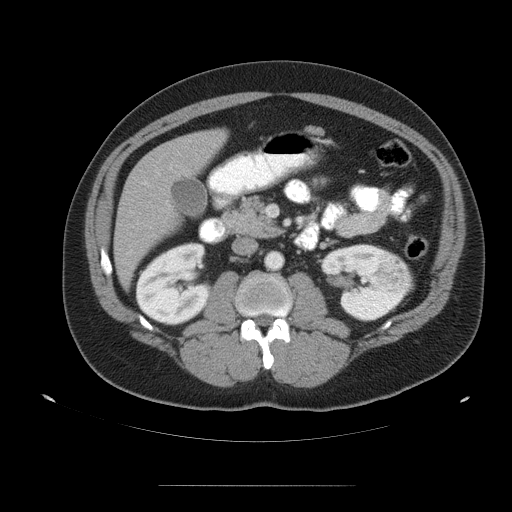
Axial slice 66 of 99 of a contrast-enhanced abdominal CT (slice 1 is the lowest), 120 kVp, kernel STANDARD; 5.00 mm slice thickness and 0.938 mm pixels.
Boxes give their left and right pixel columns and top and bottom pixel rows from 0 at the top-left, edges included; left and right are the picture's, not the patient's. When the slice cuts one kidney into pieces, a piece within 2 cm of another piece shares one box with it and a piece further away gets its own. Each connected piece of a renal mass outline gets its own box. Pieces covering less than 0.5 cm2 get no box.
Three boxes on this slice (two kidney boxes and one renal mass box), listed by box centre from the image's left to its right. (1) Right kidney in the box with left 135, top 242, right 211, bottom 325 (outlined area 4,789 px, about 42.1 cm2). (2) Left kidney in the box with left 320, top 244, right 414, bottom 321 (outlined area 4,169 px, about 36.6 cm2). (3) Left renal mass, the box with left 373, top 261, right 407, bottom 296 (outlined area 1,041 px, about 9.1 cm2).